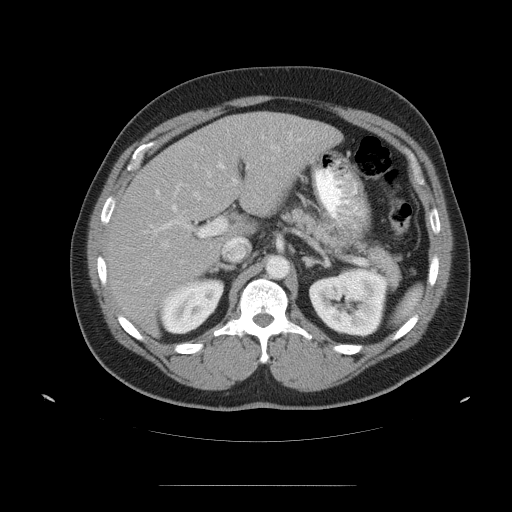
Axial slice 76 of 99 of a contrast-enhanced abdominal CT (slice 1 is the lowest), 120 kVp, kernel STANDARD; 5.00 mm slice thickness and 0.938 mm pixels.
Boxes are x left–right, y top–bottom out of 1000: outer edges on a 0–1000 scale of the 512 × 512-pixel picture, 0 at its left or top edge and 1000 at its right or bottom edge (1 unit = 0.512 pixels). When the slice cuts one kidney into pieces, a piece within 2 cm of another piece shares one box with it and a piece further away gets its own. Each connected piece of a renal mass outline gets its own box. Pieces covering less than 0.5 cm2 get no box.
Boxed on this slice (two kidney boxes), listed by box centre from the image's left to its right: (1) Box x 311–439, y 543–654 out of 1000: right kidney (outlined area 2,648 px, about 23.3 cm2). (2) Box x 602–762, y 523–660 out of 1000: left kidney (outlined area 4,248 px, about 37.3 cm2). No renal mass is outlined on this slice.